One axial slice (118 of 301, counting up from the lowest) of a contrast-enhanced abdominal CT acquired with 120 kVp, kernel I40f; each pixel is 0.859 mm and the slice is 2.00 mm thick.
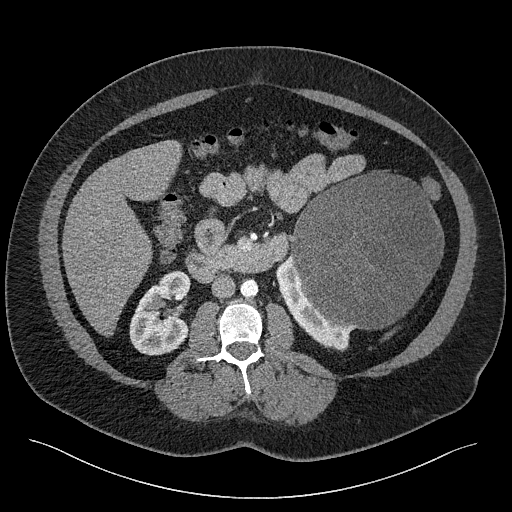
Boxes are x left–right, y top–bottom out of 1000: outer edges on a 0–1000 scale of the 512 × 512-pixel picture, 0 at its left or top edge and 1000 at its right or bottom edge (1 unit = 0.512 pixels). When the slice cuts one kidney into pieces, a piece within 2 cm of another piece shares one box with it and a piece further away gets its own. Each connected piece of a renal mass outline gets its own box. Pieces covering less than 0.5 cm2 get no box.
Two kidney boxes and one renal mass box on this slice; by box centre, from the image's left to its right: (1) Right kidney, box x 252–375, y 527–695 out of 1000 (outlined area 3,752 px, about 27.7 cm2). (2) Box x 537–695, y 494–688 out of 1000: left kidney (outlined area 2,353 px, about 17.4 cm2). (3) Left renal mass, box x 564–869, y 334–645 out of 1000 (outlined area 18,594 px, about 137.3 cm2).